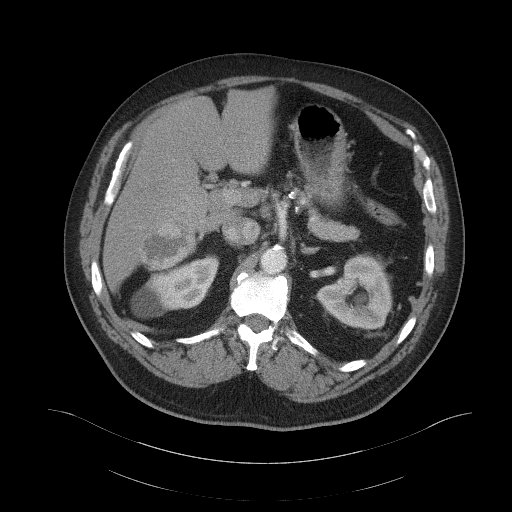
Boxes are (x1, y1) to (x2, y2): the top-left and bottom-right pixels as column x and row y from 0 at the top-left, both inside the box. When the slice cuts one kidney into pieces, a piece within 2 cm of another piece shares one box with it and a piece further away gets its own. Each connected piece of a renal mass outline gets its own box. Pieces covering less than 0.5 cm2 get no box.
Arterial-phase contrast-enhanced abdominal CT, axial slice 79 of 103 (counted from the lowest slice); 5.00 mm thick, 0.951 mm per pixel. Two kidney boxes and one renal mass box on this slice; by box centre, from the image's left to its right: (1) Right renal mass, box (138, 228) to (195, 270) (outlined area 1,912 px, about 17.3 cm2). (2) Box (132, 257) to (219, 317): right kidney (outlined area 3,256 px, about 29.5 cm2). (3) Left kidney, box (317, 253) to (392, 331) (outlined area 3,992 px, about 36.1 cm2).
Tube voltage 120 kVp; convolution kernel B41f.